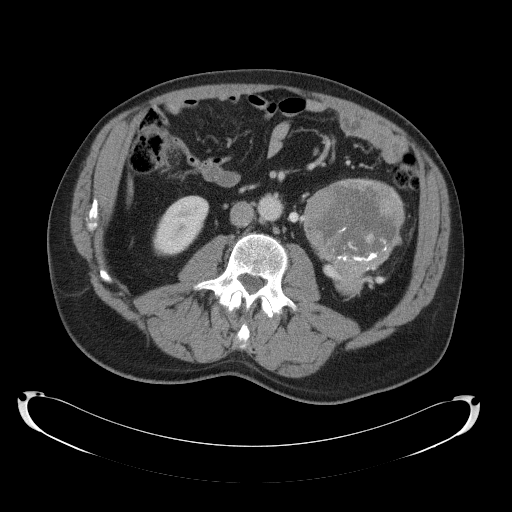
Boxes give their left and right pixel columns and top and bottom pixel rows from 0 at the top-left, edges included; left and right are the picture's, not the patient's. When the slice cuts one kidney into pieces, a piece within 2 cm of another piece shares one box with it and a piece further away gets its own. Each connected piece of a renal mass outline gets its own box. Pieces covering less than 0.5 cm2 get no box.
This is axial slice 61 of 145 (slice 1 is the lowest) of an abdominal CT with contrast; each pixel is 0.859 mm and the slice is 5.00 mm thick. One kidney box and one renal mass box on this slice; by box centre, from the image's left to its right: (1) Right kidney, the box with left 152, top 195, right 209, bottom 255 (outlined area 2,377 px, about 17.6 cm2). (2) Box with left 303, top 178, right 405, bottom 295: left renal mass (outlined area 8,459 px, about 62.5 cm2); on this slice it lies more than 1 cm from any kidney outline, but the same outlined renal mass comes within 1 cm of the kidney on another slice.
Acquired at 120 kVp and reconstructed with the B41f kernel.